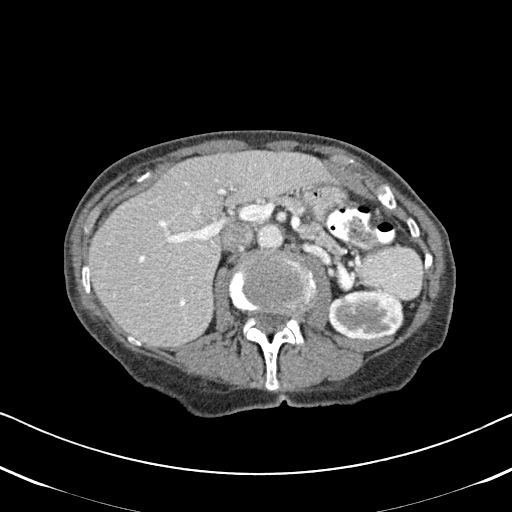
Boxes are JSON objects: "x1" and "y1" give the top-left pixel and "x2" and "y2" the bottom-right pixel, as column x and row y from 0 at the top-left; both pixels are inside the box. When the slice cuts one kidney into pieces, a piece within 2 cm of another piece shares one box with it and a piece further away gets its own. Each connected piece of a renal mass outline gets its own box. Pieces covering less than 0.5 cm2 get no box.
Slice 306/620 of a contrast-enhanced abdominal CT in the arterial phase, counting up from the lowest; pixel size 0.637 mm, slice thickness 2.00 mm. Left kidney at {"x1": 328, "y1": 290, "x2": 403, "y2": 339} (outlined area 3,131 px, about 12.7 cm2). No renal mass outline on this slice.
Tube voltage 120 kVp; convolution kernel B31f.